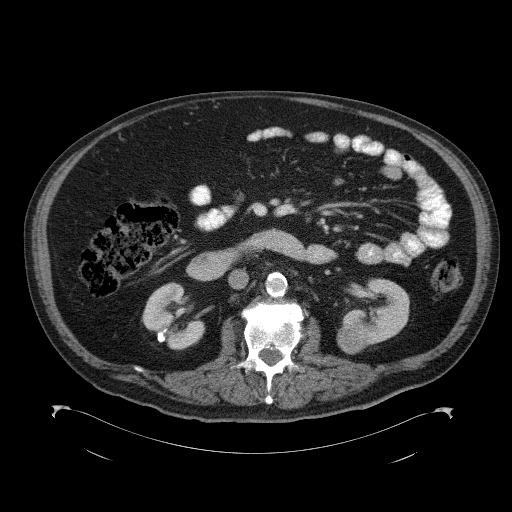
One axial slice (56 of 98, counting up from the lowest) of a contrast-enhanced abdominal CT acquired with 120 kVp, kernel B41f; each pixel is 0.965 mm and the slice is 5.00 mm thick.
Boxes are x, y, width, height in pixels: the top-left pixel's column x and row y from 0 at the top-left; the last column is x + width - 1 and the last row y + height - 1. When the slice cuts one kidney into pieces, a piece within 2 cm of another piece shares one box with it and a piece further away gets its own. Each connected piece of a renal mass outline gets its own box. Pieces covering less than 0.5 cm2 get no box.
Boxed on this slice (two kidney boxes and one renal mass box), listed by box centre from the image's left to its right: (1) Right kidney, box x 142, y 282, width 64, height 69 (outlined area 2,693 px, about 25.1 cm2). (2) Box x 337, y 324, width 32, height 31: left renal mass (outlined area 784 px, about 7.3 cm2). (3) Left kidney, box x 342, y 278, width 68, height 68 (outlined area 2,711 px, about 25.2 cm2).